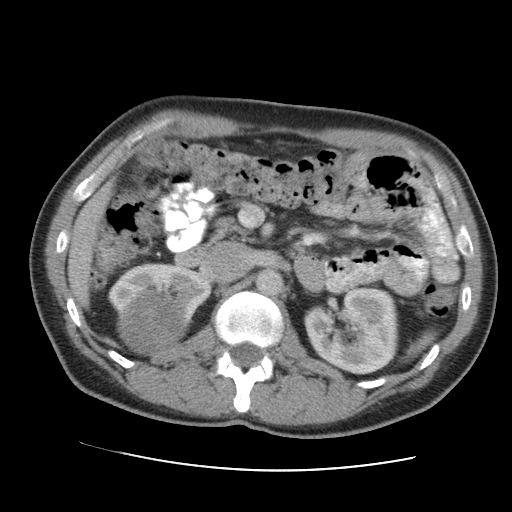
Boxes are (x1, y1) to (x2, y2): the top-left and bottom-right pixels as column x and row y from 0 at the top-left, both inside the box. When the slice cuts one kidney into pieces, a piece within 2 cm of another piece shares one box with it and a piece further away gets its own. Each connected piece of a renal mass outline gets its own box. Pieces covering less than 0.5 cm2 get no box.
Arterial-phase contrast-enhanced abdominal CT, axial slice 73 of 105 (counted from the lowest slice); 5.00 mm thick, 0.707 mm per pixel. Three boxes on this slice (two kidney boxes and one renal mass box), listed by box centre from the image's left to its right. (1) Right renal mass, box (116, 287) to (189, 354) (outlined area 3,709 px, about 18.5 cm2). (2) Box (107, 262) to (211, 324): right kidney (outlined area 3,084 px, about 15.4 cm2). (3) Left kidney, box (304, 287) to (398, 374) (outlined area 6,485 px, about 32.4 cm2).
Acquired at 120 kVp and reconstructed with the STANDARD kernel.